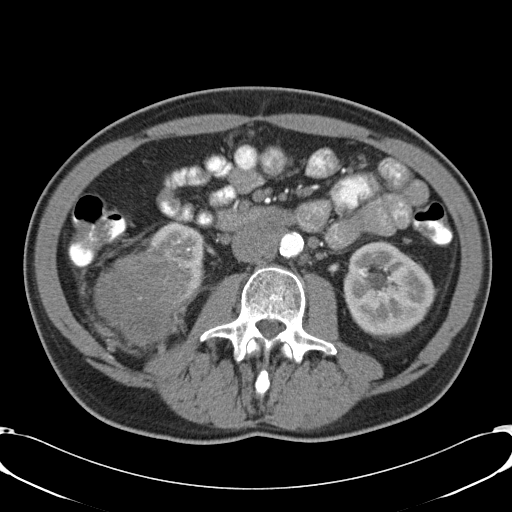
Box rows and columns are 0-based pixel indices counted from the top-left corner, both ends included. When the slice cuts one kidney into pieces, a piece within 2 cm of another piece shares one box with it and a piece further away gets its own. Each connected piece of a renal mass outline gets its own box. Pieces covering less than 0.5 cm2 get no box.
This is axial slice 19 of 57 (slice 1 is the lowest) of an abdominal CT with contrast; each pixel is 0.732 mm and the slice is 5.00 mm thick. Three boxes on this slice (two kidney boxes and one renal mass box), listed by box centre from the image's left to its right. (1) Box rows 251–342, columns 93–190: right renal mass (outlined area 6,442 px, about 34.6 cm2). (2) Right kidney, box rows 221–295, columns 143–203 (outlined area 2,119 px, about 11.4 cm2). (3) Left kidney, box rows 240–340, columns 342–435 (outlined area 6,737 px, about 36.1 cm2).
Scan settings: 120 kVp, B31f reconstruction kernel.